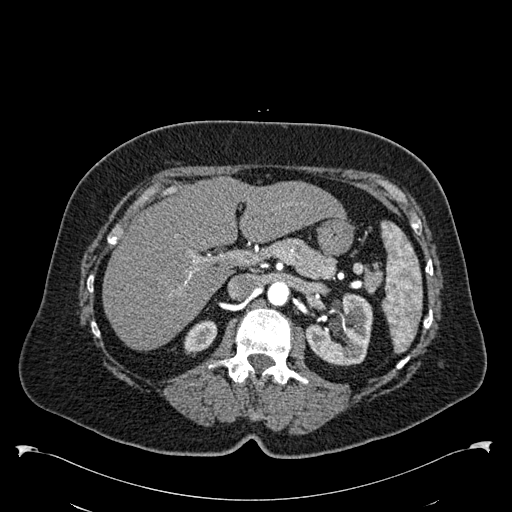
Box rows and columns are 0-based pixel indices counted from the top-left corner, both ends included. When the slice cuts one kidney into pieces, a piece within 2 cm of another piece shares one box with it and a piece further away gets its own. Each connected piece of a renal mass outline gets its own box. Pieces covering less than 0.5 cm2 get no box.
Slice 376/538 of a contrast-enhanced abdominal CT in the arterial phase, counting up from the lowest; pixel size 0.811 mm, slice thickness 1.00 mm. Boxed on this slice (two kidney boxes), listed by box centre from the image's left to its right: (1) Right kidney, box rows 320–356, columns 184–217 (outlined area 832 px, about 5.5 cm2). (2) Left kidney, box rows 293–365, columns 305–373 (outlined area 3,510 px, about 23.1 cm2). No renal mass is outlined on this slice.
Scan settings: 120 kVp, B30f reconstruction kernel.